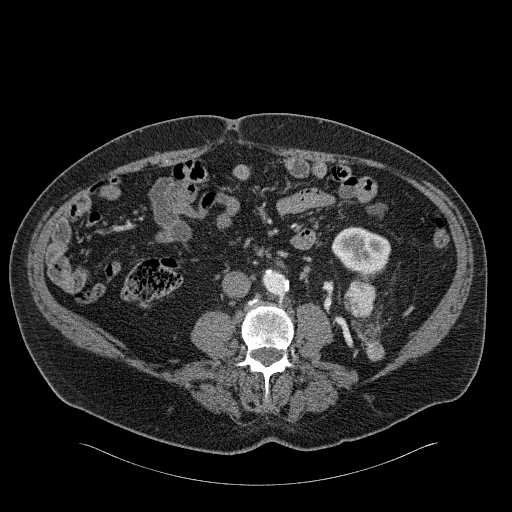
Abdominal CT with intravenous contrast, arterial phase, axial plane, 120 kVp, kernel B31f. Slice 69/326 from the bottom of the scan; thickness 2.00 mm; pixel size 0.963 mm.
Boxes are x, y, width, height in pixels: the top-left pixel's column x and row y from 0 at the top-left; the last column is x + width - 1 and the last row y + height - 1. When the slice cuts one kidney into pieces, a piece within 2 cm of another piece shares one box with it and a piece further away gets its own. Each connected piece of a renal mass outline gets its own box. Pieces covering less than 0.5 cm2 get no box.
One kidney box and two renal mass boxes on this slice; by box centre, from the image's left to its right: (1) Left renal mass, box x 343, y 282, width 33, height 37 (outlined area 927 px, about 8.6 cm2). (2) Left kidney at x 331, y 226, width 60, height 48 (outlined area 2,119 px, about 19.6 cm2). (3) Left renal mass, box x 365, y 339, width 20, height 23 (outlined area 346 px, about 3.2 cm2); it sits over 1 cm from every kidney outline on this slice, but the same outlined renal mass comes within 1 cm of the kidney on another slice.